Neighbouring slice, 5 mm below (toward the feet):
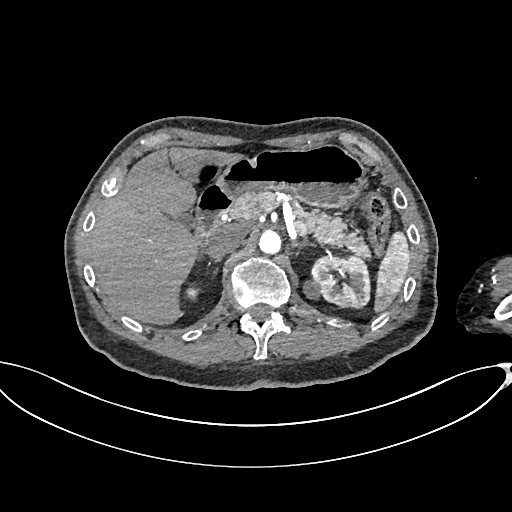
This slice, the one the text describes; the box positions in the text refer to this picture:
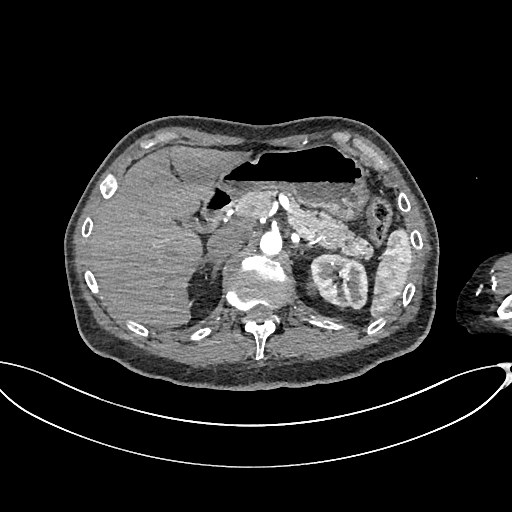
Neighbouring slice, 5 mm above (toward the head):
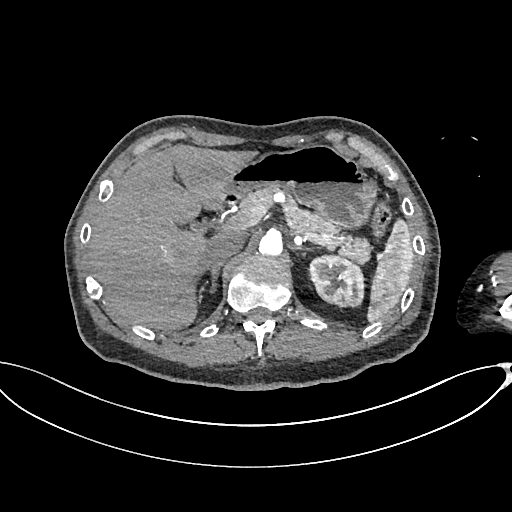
One axial slice (472 of 665, counting up from the lowest) of an arterial-phase abdominal CT acquired with 100 kVp, kernel I26f; each pixel is 0.828 mm and the slice is 1.00 mm thick.
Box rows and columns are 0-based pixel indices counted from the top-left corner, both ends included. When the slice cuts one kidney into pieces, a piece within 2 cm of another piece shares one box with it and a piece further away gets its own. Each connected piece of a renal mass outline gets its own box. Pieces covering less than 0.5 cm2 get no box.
Boxed on this slice (one kidney box and one renal mass box), listed by box centre from the image's left to its right: (1) Left renal mass, box rows 280–294, columns 306–317 (outlined area 126 px, about 0.9 cm2). (2) Box rows 253–308, columns 310–366: left kidney (outlined area 2,449 px, about 16.8 cm2). This slice lies near the end of the left renal mass toward the head; the slices 5 mm below and 5 mm above it are shown too, and the boxes mark positions on this slice only.